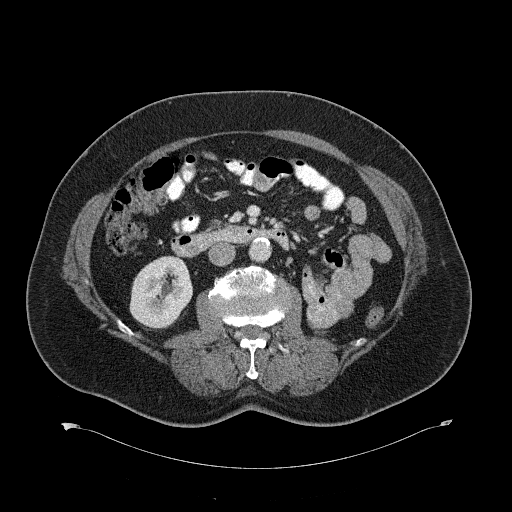
One axial slice (345 of 734, counting up from the lowest) of a contrast-enhanced abdominal CT acquired with 120 kVp, kernel B31f; each pixel is 0.971 mm and the slice is 2.00 mm thick.
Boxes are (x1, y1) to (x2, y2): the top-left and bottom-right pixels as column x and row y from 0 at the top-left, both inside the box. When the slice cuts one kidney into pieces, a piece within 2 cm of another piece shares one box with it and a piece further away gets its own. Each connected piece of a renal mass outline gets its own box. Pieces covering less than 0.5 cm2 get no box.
Right kidney from (129, 256) to (192, 329) (outlined area 3,529 px, about 33.3 cm2). No renal mass outline on this slice.